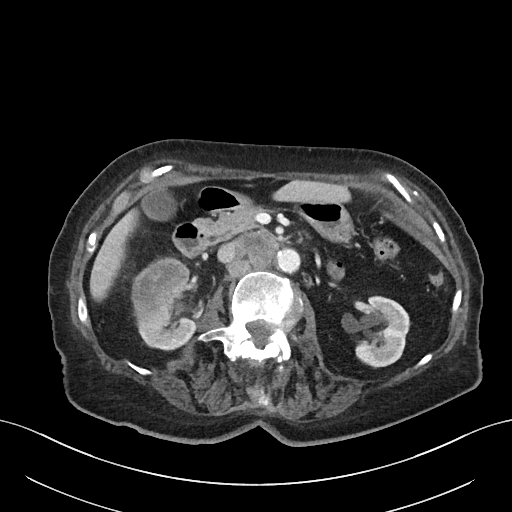
Axial slice 32 of 76 of a contrast-enhanced abdominal CT (slice 1 is the lowest), 100 kVp, kernel I40f; 3.00 mm slice thickness and 0.768 mm pixels.
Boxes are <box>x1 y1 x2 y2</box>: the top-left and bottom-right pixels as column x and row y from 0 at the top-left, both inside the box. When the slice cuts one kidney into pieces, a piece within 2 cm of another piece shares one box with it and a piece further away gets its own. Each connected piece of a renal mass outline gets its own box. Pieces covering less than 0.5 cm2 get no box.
Three boxes on this slice (two kidney boxes and one renal mass box), listed by box centre from the image's left to its right. (1) Right renal mass at <box>131 256 190 329</box> (outlined area 2,914 px, about 17.2 cm2). (2) Right kidney: <box>136 275 196 351</box> (outlined area 2,034 px, about 12.0 cm2). (3) Left kidney at <box>354 295 410 368</box> (outlined area 2,946 px, about 17.4 cm2).